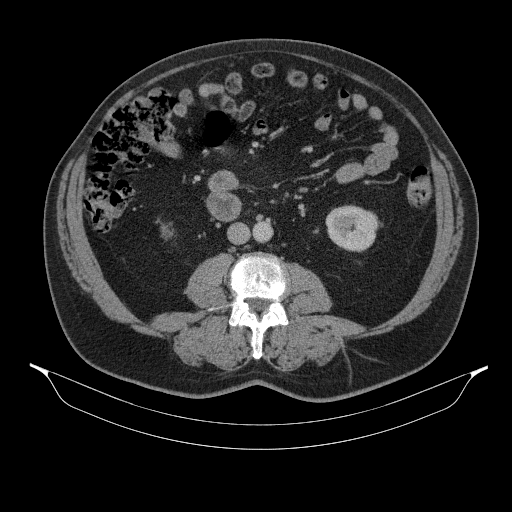
Axial slice 170 of 314 of a contrast-enhanced abdominal CT (slice 1 is the lowest), 130 kVp, kernel B31s; 2.50 mm slice thickness and 0.934 mm pixels.
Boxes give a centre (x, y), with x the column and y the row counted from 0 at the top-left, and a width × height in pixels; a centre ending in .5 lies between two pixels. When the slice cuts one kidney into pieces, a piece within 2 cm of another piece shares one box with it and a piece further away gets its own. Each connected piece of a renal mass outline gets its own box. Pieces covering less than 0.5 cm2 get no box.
Two kidney boxes on this slice; by box centre, from the image's left to its right: (1) Box centre (167, 231), 13 × 15 pixels: right kidney (outlined area 134 px, about 1.2 cm2). (2) Left kidney in a box with centre (353.5, 228.5), 58 × 48 pixels (outlined area 1,989 px, about 17.3 cm2). This slice carries no renal mass outline.